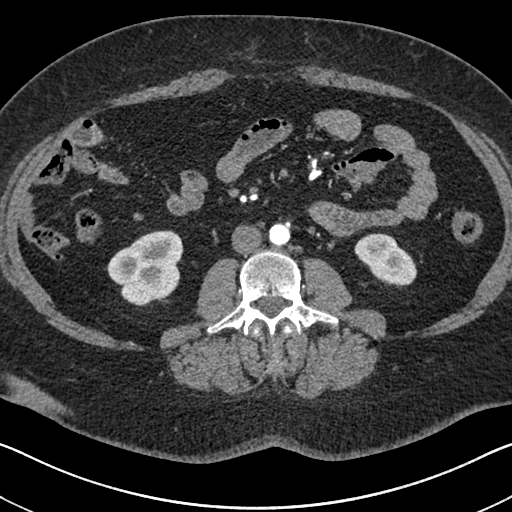
One axial slice (310 of 591, counting up from the lowest) of an arterial-phase abdominal CT acquired with 140 kVp, kernel I30f; each pixel is 0.703 mm and the slice is 1.00 mm thick.
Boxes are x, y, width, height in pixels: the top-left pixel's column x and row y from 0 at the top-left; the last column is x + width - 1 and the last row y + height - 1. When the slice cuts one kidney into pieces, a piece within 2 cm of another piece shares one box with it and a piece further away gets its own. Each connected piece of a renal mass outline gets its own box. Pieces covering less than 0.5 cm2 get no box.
Boxed on this slice (two kidney boxes), listed by box centre from the image's left to its right: (1) Box x 107, y 230, width 77, height 76: right kidney (outlined area 4,162 px, about 20.6 cm2). (2) Left kidney at x 354, y 233, width 64, height 56 (outlined area 2,252 px, about 11.1 cm2). No renal mass outline on this slice.